Abdominal CT with intravenous contrast, arterial phase, axial plane, 100 kVp, kernel I40f. Slice 141/316 from the bottom of the scan; thickness 2.00 mm; pixel size 0.840 mm.
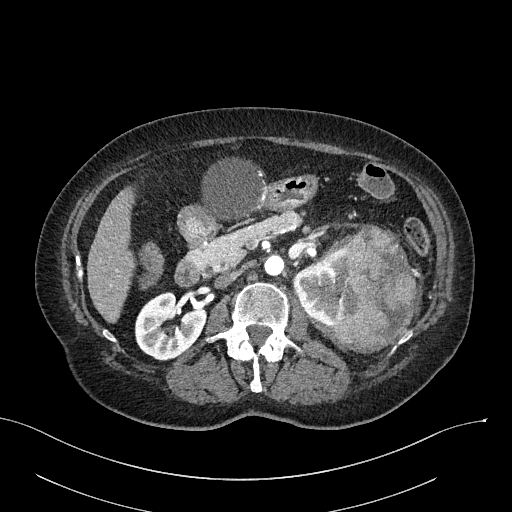
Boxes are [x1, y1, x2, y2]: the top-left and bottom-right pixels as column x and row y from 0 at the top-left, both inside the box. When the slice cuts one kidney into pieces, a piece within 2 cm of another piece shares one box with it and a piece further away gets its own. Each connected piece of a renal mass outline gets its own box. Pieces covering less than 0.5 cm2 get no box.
Two kidney boxes and one renal mass box on this slice; by box centre, from the image's left to its right: (1) Right kidney at [134, 291, 207, 360] (outlined area 3,516 px, about 24.8 cm2). (2) Box [293, 246, 358, 327]: left kidney (outlined area 3,357 px, about 23.7 cm2). (3) Left renal mass, box [329, 224, 416, 353] (outlined area 7,295 px, about 51.5 cm2).